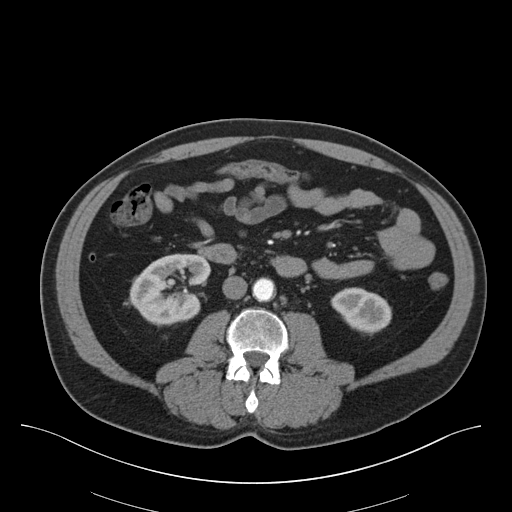
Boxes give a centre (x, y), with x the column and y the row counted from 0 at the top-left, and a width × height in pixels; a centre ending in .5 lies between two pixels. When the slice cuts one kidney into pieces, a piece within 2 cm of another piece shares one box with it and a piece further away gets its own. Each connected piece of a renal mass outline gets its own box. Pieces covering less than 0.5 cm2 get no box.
This is axial slice 20 of 75 (slice 1 is the lowest) of an abdominal CT with contrast; each pixel is 0.875 mm and the slice is 3.00 mm thick. Two boxes on this slice (two kidney boxes), listed by box centre from the image's left to its right. (1) Box centre (169.5, 289.5), 82 × 74 pixels: right kidney (outlined area 4,307 px, about 33.0 cm2). (2) Left kidney, box centre (361, 311), 61 × 49 pixels (outlined area 2,032 px, about 15.6 cm2). No renal mass is outlined on this slice.
Scan settings: 140 kVp, B30f reconstruction kernel.